Arterial-phase contrast-enhanced abdominal CT, axial slice 218 of 527 (counted from the lowest slice); tube voltage 120 kVp, convolution kernel I30f; slices 1.00 mm thick, 0.859 mm per pixel.
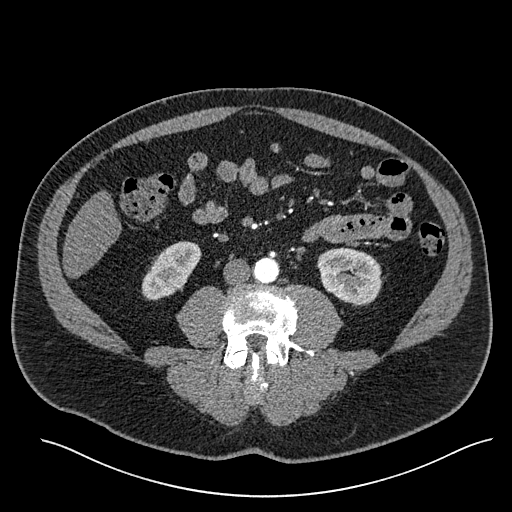
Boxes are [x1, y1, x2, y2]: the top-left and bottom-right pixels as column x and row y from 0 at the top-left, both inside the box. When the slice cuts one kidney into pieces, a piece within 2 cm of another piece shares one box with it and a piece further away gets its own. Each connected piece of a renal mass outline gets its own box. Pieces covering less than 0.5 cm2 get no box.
Two boxes on this slice (two kidney boxes), listed by box centre from the image's left to its right. (1) Right kidney, box [141, 241, 201, 300] (outlined area 2,249 px, about 16.6 cm2). (2) Box [316, 247, 384, 306]: left kidney (outlined area 2,970 px, about 21.9 cm2). No renal mass outline on this slice.